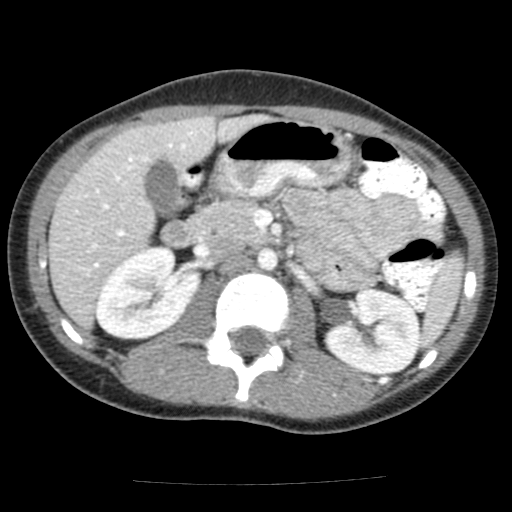
One axial slice (83 of 117, counting up from the lowest) of an arterial-phase abdominal CT acquired with 120 kVp, kernel FC12; each pixel is 0.518 mm and the slice is 3.00 mm thick.
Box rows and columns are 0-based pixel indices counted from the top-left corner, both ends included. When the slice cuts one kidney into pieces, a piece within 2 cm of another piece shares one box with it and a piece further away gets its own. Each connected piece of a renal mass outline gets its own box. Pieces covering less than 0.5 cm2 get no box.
Two boxes on this slice (two kidney boxes), listed by box centre from the image's left to its right. (1) Right kidney at rows 244–340, columns 95–202 (outlined area 7,231 px, about 19.4 cm2). (2) Left kidney, box rows 287–374, columns 323–420 (outlined area 6,393 px, about 17.2 cm2). No renal mass outline on this slice.